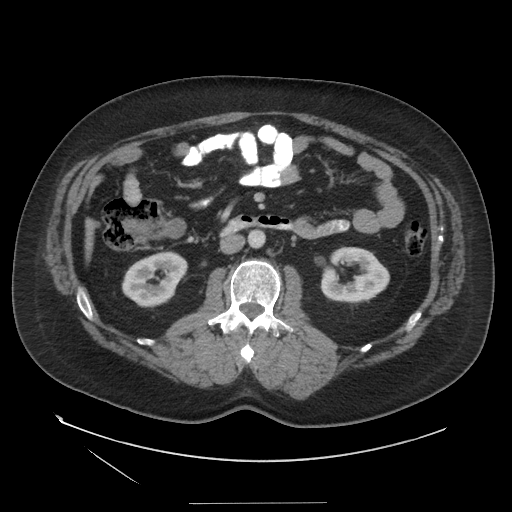
Abdominal CT with intravenous contrast, arterial phase, axial plane, 140 kVp, kernel STANDARD. Slice 74/129 from the bottom of the scan; thickness 3.75 mm; pixel size 0.938 mm.
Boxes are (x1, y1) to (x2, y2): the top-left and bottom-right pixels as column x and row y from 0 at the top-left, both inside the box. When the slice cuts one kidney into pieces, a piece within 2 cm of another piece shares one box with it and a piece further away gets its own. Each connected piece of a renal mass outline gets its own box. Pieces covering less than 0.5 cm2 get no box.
Boxed on this slice (two kidney boxes), listed by box centre from the image's left to its right: (1) Right kidney, box (121, 251) to (187, 307) (outlined area 2,659 px, about 23.4 cm2). (2) Box (320, 246) to (389, 301): left kidney (outlined area 2,876 px, about 25.3 cm2). No renal mass outline on this slice.